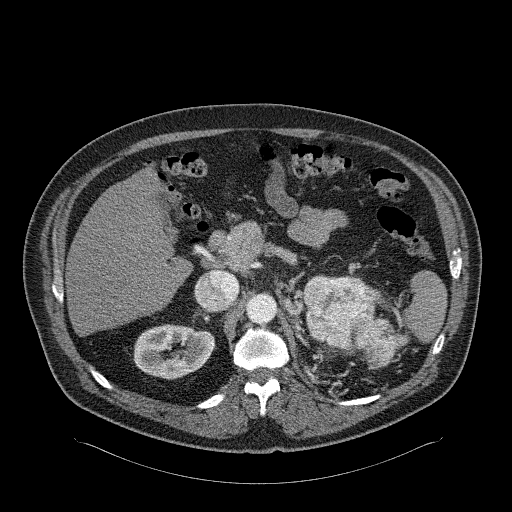
Abdominal CT with intravenous contrast, arterial phase, axial plane, 120 kVp, kernel B31f. Slice 170/326 from the bottom of the scan; thickness 2.00 mm; pixel size 0.963 mm.
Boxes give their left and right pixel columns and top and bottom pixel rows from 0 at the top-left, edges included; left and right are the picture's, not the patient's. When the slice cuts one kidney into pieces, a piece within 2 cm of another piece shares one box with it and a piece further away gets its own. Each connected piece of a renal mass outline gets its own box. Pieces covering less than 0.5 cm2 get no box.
Boxed on this slice (two kidney boxes and one renal mass box), listed by box centre from the image's left to its right: (1) Right kidney in the box with left 133, top 324, right 215, bottom 379 (outlined area 3,445 px, about 31.9 cm2). (2) Left kidney, the box with left 303, top 275, right 331, bottom 305 (outlined area 313 px, about 2.9 cm2). (3) Box with left 305, top 275, right 409, bottom 368: left renal mass (outlined area 5,941 px, about 55.1 cm2).